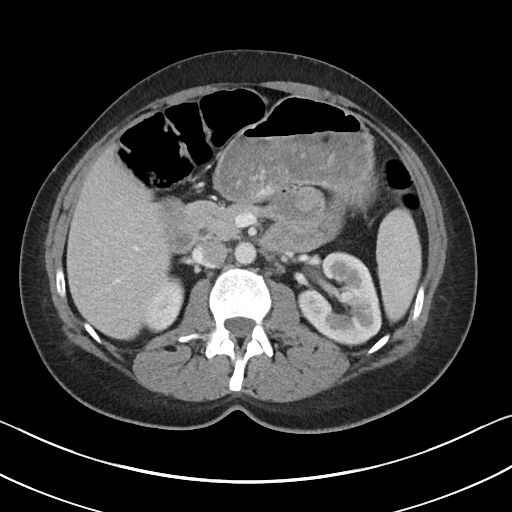
Abdominal CT with intravenous contrast, arterial phase, axial plane, 100 kVp, kernel I40f. Slice 64/90 from the bottom of the scan; thickness 5.00 mm; pixel size 0.703 mm.
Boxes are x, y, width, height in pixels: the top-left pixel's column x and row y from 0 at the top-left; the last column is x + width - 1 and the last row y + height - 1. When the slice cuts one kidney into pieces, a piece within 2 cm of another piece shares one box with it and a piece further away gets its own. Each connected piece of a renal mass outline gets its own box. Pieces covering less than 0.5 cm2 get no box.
Boxed on this slice (two kidney boxes), listed by box centre from the image's left to its right: (1) Box x 141, y 277, width 44, height 56: right kidney (outlined area 1,719 px, about 8.5 cm2). (2) Box x 297, y 251, width 85, height 96: left kidney (outlined area 5,616 px, about 27.8 cm2). No renal mass outline on this slice.